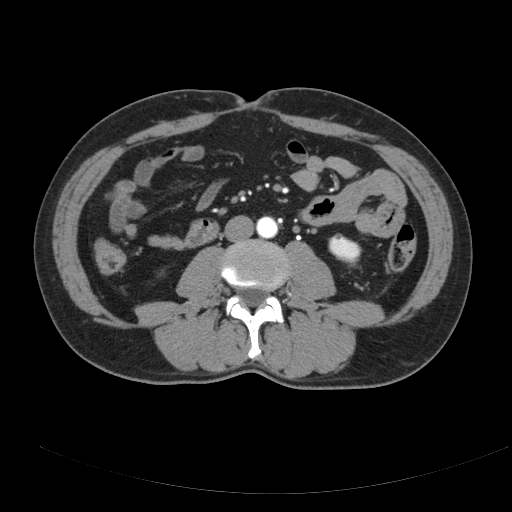
One axial slice (91 of 178, counting up from the lowest) of a contrast-enhanced abdominal CT acquired with 120 kVp, kernel B; each pixel is 0.818 mm and the slice is 3.00 mm thick.
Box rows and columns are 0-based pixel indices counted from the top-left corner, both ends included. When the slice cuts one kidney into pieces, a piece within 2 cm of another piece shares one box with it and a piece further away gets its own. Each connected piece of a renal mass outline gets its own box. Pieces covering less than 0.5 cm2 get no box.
Left kidney, box rows 233–264, columns 328–361 (outlined area 743 px, about 5.0 cm2). No renal mass is outlined on this slice.